One axial slice (563 of 787, counting up from the lowest) of a contrast-enhanced abdominal CT acquired with 140 kVp, kernel I30f; each pixel is 0.910 mm and the slice is 1.00 mm thick.
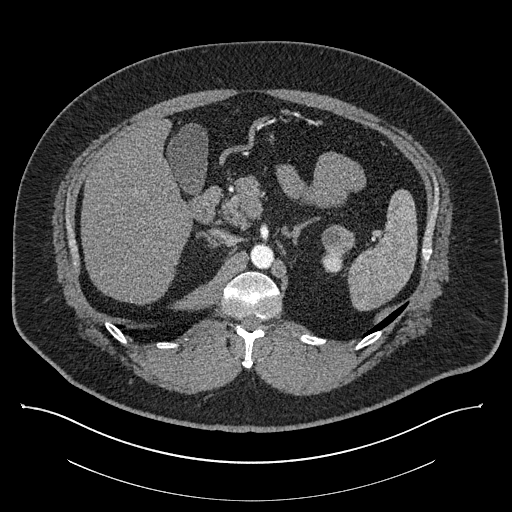
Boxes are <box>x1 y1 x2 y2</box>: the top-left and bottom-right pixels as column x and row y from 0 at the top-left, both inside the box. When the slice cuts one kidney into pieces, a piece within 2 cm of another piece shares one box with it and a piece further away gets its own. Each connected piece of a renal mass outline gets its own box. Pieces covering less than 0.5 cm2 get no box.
Boxed on this slice (one kidney box and one renal mass box), listed by box centre from the image's left to its right: (1) Left kidney at <box>321 252 343 273</box> (outlined area 338 px, about 2.8 cm2). (2) Left renal mass at <box>321 225 355 256</box> (outlined area 817 px, about 6.8 cm2).